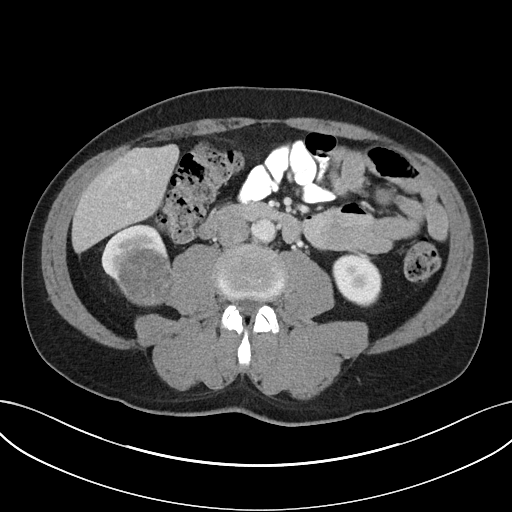
Arterial-phase contrast-enhanced abdominal CT, axial slice 7 of 32 (counted from the lowest slice); tube voltage 100 kVp, convolution kernel I40f; slices 5.00 mm thick, 0.779 mm per pixel.
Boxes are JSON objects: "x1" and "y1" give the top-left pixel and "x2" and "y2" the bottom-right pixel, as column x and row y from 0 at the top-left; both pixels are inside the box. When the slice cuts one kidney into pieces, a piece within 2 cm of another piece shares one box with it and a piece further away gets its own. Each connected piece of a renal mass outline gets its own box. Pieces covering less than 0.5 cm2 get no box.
Two kidney boxes and one renal mass box on this slice; by box centre, from the image's left to its right: (1) Box {"x1": 101, "y1": 224, "x2": 168, "y2": 285}: right kidney (outlined area 1,746 px, about 10.6 cm2). (2) Box {"x1": 117, "y1": 248, "x2": 177, "y2": 306}: right renal mass (outlined area 2,824 px, about 17.2 cm2). (3) Left kidney at {"x1": 332, "y1": 254, "x2": 381, "y2": 306} (outlined area 2,016 px, about 12.2 cm2).